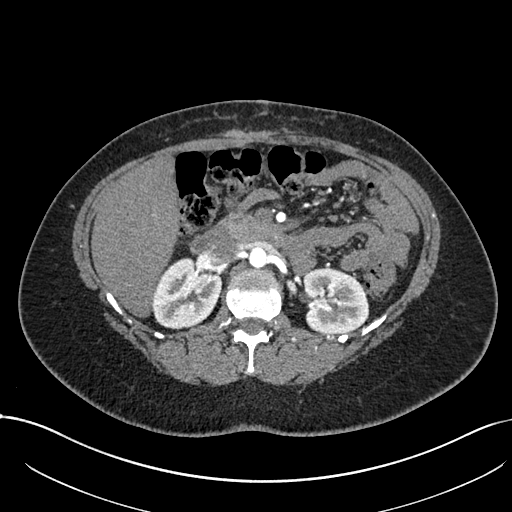
Axial slice 446 of 738 of a contrast-enhanced abdominal CT in the arterial phase (slice 1 is the lowest), 120 kVp, kernel I30f; 1.00 mm slice thickness and 0.789 mm pixels.
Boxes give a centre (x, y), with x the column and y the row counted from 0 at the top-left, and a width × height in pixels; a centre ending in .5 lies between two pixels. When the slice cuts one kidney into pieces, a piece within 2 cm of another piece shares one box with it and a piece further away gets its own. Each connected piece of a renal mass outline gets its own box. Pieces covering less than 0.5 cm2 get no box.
Two kidney boxes on this slice; by box centre, from the image's left to its right: (1) Box centre (187, 293), 71 × 73 pixels: right kidney (outlined area 3,835 px, about 23.9 cm2). (2) Left kidney in a box with centre (335.5, 300.5), 68 × 66 pixels (outlined area 3,640 px, about 22.7 cm2). No renal mass outline on this slice.